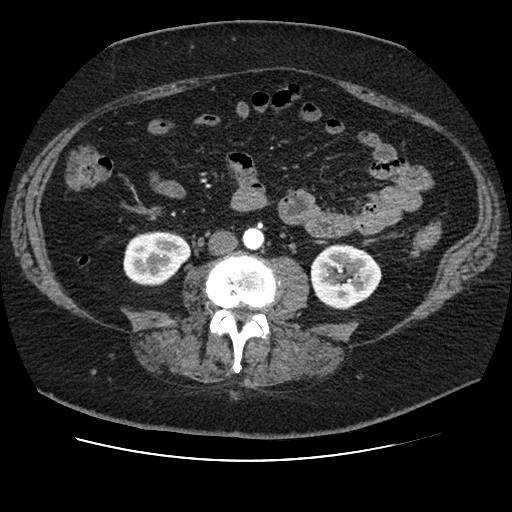
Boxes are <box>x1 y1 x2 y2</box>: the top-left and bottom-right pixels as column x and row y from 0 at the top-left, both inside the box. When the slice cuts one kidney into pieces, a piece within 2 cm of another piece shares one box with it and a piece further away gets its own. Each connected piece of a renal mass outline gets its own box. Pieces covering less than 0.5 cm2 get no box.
This is axial slice 29 of 106 (slice 1 is the lowest) of an arterial-phase abdominal CT with contrast; each pixel is 0.742 mm and the slice is 2.50 mm thick. Boxed on this slice (two kidney boxes), listed by box centre from the image's left to its right: (1) Right kidney at <box>123 231 190 286</box> (outlined area 2,911 px, about 16.0 cm2). (2) Left kidney at <box>310 244 381 309</box> (outlined area 3,594 px, about 19.8 cm2). No renal mass is outlined on this slice.
Scan settings: 120 kVp, STANDARD reconstruction kernel.